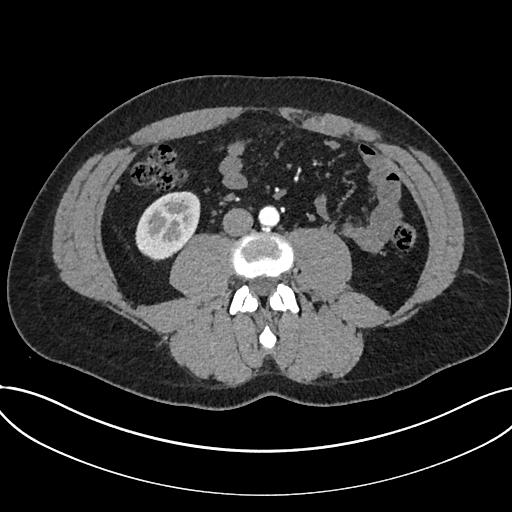
One axial slice (299 of 735, counting up from the lowest) of an arterial-phase abdominal CT acquired with 120 kVp, kernel I30f; each pixel is 0.789 mm and the slice is 1.00 mm thick.
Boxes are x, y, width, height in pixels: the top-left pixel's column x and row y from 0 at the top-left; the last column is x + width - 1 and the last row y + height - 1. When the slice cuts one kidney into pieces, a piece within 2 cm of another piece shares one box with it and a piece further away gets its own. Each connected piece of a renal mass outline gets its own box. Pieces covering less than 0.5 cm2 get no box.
Kidney, box x 135, y 191, width 66, height 70 (outlined area 3,349 px, about 20.9 cm2). No renal mass is outlined on this slice.